Arterial-phase contrast-enhanced abdominal CT, axial slice 760 of 987 (counted from the lowest slice); tube voltage 120 kVp, convolution kernel I26f; slices 1.00 mm thick, 0.977 mm per pixel.
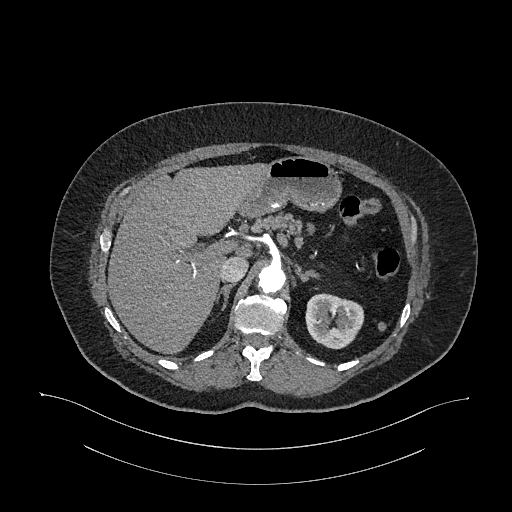
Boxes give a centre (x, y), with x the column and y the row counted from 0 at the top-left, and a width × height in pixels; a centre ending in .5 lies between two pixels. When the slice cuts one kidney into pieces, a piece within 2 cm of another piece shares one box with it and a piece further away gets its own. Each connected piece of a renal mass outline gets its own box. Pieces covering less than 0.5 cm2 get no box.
Left kidney, box centre (334.5, 321), 60 × 57 pixels (outlined area 2,538 px, about 24.2 cm2). No renal mass outline on this slice.